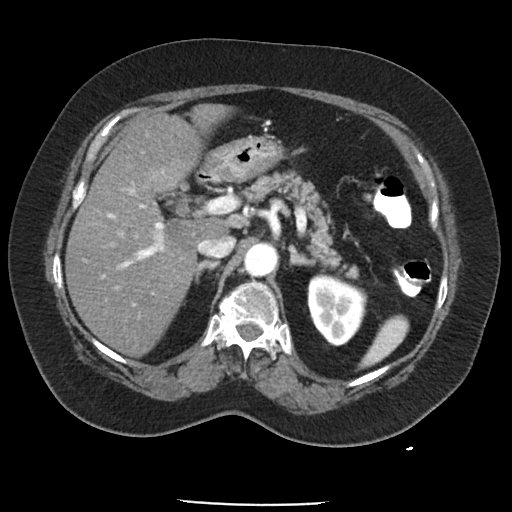
Axial slice 66 of 85 of a contrast-enhanced abdominal CT in the arterial phase (slice 1 is the lowest), 120 kVp, kernel FC19; 5.00 mm slice thickness and 0.741 mm pixels.
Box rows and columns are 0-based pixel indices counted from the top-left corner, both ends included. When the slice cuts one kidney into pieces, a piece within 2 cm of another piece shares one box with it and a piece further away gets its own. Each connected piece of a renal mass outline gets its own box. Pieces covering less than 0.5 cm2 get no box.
Left kidney, box rows 274–346, columns 307–367 (outlined area 3,286 px, about 18.0 cm2). This slice carries no renal mass outline.